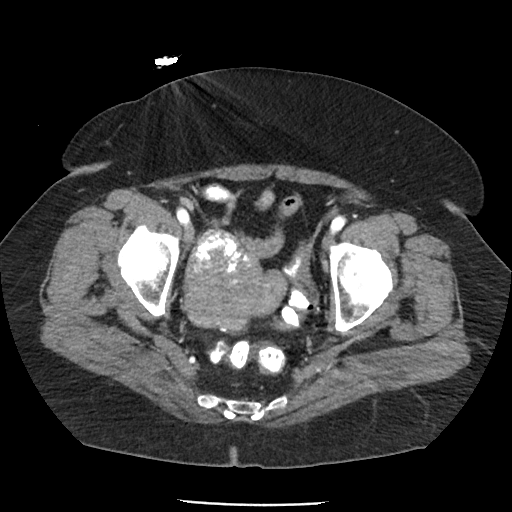
Arterial-phase contrast-enhanced abdominal CT, axial slice 20 of 85 (counted from the lowest slice); tube voltage 120 kVp, convolution kernel FC19; slices 5.00 mm thick, 0.741 mm per pixel.
No kidney and no renal mass is outlined on this slice; the outlines in this scan cover only the kidneys and the renal masses, so nothing is said about any other organ.